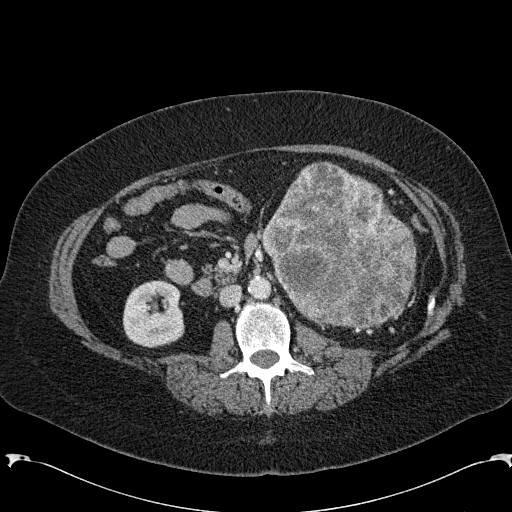
Axial slice 114 of 285 of a contrast-enhanced abdominal CT in the arterial phase (slice 1 is the lowest), 120 kVp, kernel B31f; 2.00 mm slice thickness and 0.762 mm pixels.
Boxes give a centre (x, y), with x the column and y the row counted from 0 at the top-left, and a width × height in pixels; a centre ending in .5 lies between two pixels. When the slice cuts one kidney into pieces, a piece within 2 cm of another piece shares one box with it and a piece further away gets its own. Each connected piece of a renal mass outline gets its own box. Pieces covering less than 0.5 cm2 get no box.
One kidney box and one renal mass box on this slice; by box centre, from the image's left to its right: (1) Right kidney, box centre (154, 313.5), 63 × 68 pixels (outlined area 3,413 px, about 19.8 cm2). (2) Box centre (338.5, 244), 156 × 167 pixels: left renal mass (outlined area 18,800 px, about 109.1 cm2); it sits over 1 cm from every kidney outline on this slice, but the same outlined renal mass comes within 1 cm of the kidney on another slice.